Abdominal CT with intravenous contrast, axial plane, 140 kVp, kernel I30f. Slice 635/834 from the bottom of the scan; thickness 1.00 mm; pixel size 0.977 mm.
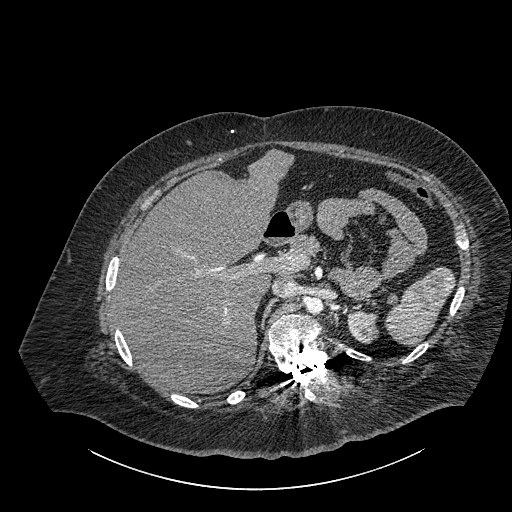
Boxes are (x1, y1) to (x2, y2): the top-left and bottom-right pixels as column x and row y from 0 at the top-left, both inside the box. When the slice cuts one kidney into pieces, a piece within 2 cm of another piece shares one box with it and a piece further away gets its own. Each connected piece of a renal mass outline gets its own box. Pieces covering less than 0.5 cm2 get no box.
Left part of the midline-crossing kidney from (347, 309) to (378, 343) (outlined area 856 px, about 8.2 cm2). No renal mass outline on this slice.